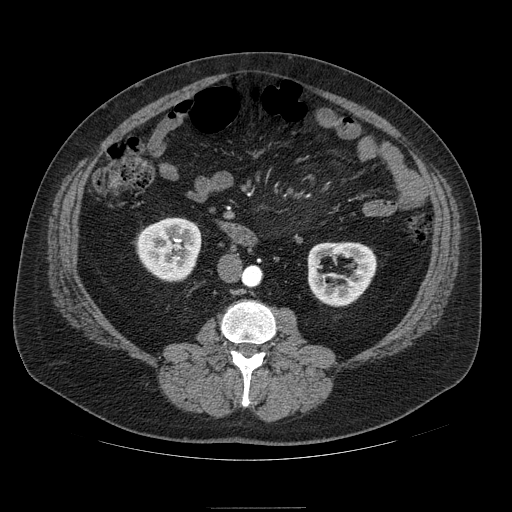
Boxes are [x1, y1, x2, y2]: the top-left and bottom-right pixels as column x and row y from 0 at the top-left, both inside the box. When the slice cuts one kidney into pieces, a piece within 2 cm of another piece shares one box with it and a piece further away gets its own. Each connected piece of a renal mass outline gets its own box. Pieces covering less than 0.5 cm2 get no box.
Arterial-phase contrast-enhanced abdominal CT, axial slice 35 of 121 (counted from the lowest slice); 2.50 mm thick, 0.861 mm per pixel. Boxed on this slice (two kidney boxes), listed by box centre from the image's left to its right: (1) Box [135, 217, 201, 281]: right kidney (outlined area 3,284 px, about 24.4 cm2). (2) Box [307, 242, 376, 306]: left kidney (outlined area 3,211 px, about 23.8 cm2). No renal mass is outlined on this slice.
Scan settings: 120 kVp, STANDARD reconstruction kernel.